Axial slice 430 of 673 of a contrast-enhanced abdominal CT in the arterial phase (slice 1 is the lowest), 120 kVp, kernel I30f; 1.00 mm slice thickness and 0.855 mm pixels.
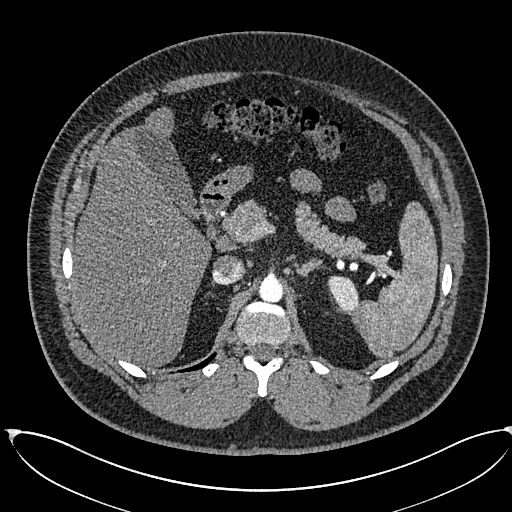
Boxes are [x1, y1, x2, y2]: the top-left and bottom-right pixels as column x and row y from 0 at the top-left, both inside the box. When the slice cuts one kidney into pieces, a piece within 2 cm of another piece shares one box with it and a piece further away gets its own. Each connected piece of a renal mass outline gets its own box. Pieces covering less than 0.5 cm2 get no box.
Left kidney, box [328, 275, 358, 313] (outlined area 850 px, about 6.2 cm2). This slice carries no renal mass outline.